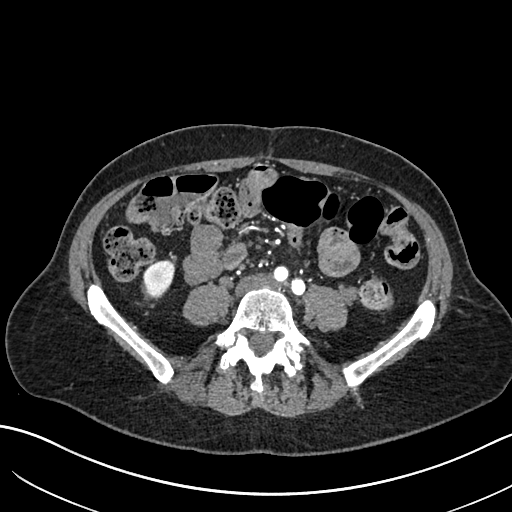
One axial slice (247 of 683, counting up from the lowest) of an arterial-phase abdominal CT acquired with 120 kVp, kernel I30f; each pixel is 0.738 mm and the slice is 1.00 mm thick.
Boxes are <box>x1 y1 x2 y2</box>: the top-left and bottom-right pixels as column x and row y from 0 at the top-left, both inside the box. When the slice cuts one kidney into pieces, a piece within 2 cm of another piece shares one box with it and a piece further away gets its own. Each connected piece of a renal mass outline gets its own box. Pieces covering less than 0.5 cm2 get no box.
Right kidney: <box>142 259 175 297</box> (outlined area 945 px, about 5.2 cm2).